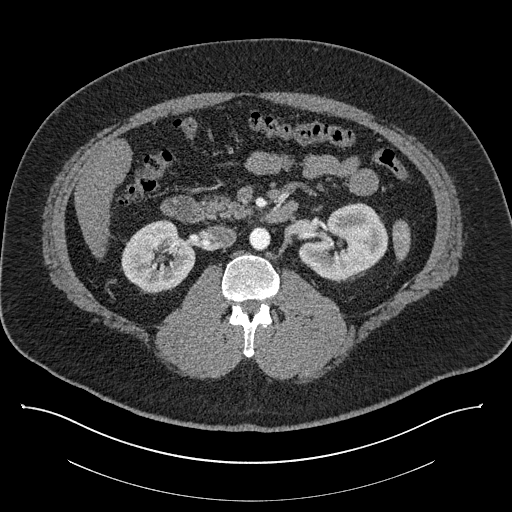
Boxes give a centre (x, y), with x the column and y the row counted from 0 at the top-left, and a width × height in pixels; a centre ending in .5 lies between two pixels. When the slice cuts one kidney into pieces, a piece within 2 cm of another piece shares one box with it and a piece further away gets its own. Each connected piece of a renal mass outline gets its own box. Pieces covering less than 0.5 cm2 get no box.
Contrast-enhanced abdominal CT, axial slice 486 of 787 (counted from the lowest slice); 1.00 mm thick, 0.910 mm per pixel. Two boxes on this slice (two kidney boxes), listed by box centre from the image's left to its right. (1) Right kidney, box centre (158, 256), 75 × 75 pixels (outlined area 3,977 px, about 32.9 cm2). (2) Box centre (343, 241), 91 × 79 pixels: left kidney (outlined area 4,857 px, about 40.2 cm2). This slice carries no renal mass outline.
Acquired at 140 kVp and reconstructed with the I30f kernel.